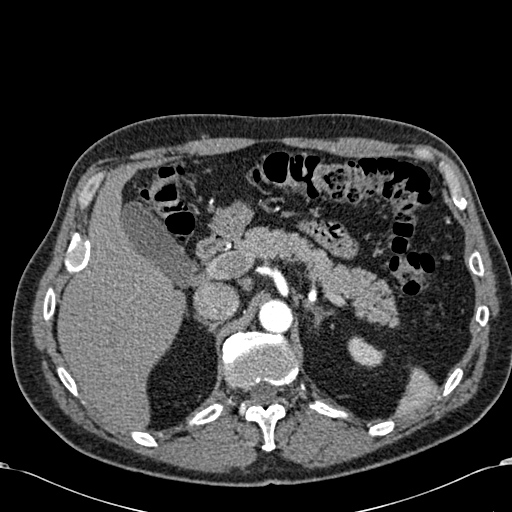
Abdominal CT with intravenous contrast, arterial phase, axial plane, 120 kVp, kernel B30f. Slice 449/581 from the bottom of the scan; thickness 1.00 mm; pixel size 0.713 mm.
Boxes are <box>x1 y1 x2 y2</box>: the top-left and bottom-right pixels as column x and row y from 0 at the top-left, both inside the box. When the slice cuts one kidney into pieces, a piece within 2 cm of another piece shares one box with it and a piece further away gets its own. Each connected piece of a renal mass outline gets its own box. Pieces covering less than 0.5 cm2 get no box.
At <box>347 336 383 368</box>: left kidney (outlined area 756 px, about 3.8 cm2). This slice carries no renal mass outline.